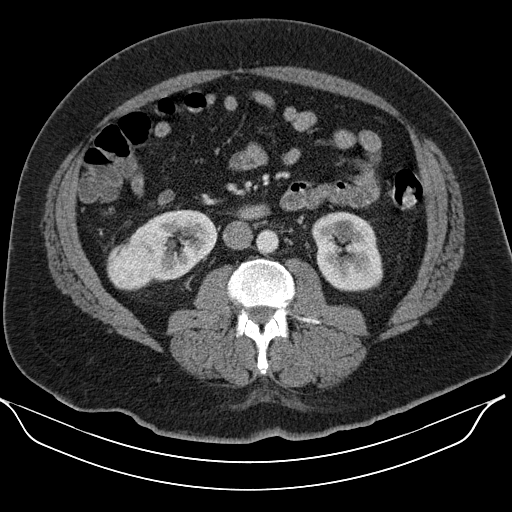
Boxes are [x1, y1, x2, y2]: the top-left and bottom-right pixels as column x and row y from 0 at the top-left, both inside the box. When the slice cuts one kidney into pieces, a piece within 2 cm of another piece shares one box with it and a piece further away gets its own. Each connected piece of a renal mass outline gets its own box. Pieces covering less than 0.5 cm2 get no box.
Slice 62/110 of a contrast-enhanced abdominal CT in the arterial phase, counting up from the lowest; pixel size 0.836 mm, slice thickness 5.00 mm. Three boxes on this slice (two kidney boxes and one renal mass box), listed by box centre from the image's left to its right. (1) Right renal mass at [106, 242, 154, 290] (outlined area 1,932 px, about 13.5 cm2). (2) Right kidney at [126, 209, 217, 281] (outlined area 4,077 px, about 28.5 cm2). (3) Left kidney at [311, 211, 383, 291] (outlined area 4,482 px, about 31.3 cm2).
Scan settings: 130 kVp, B30s reconstruction kernel.